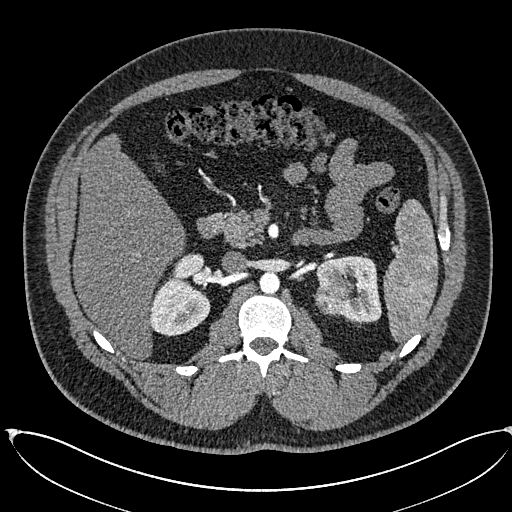
Abdominal CT with intravenous contrast, arterial phase, axial plane, 120 kVp, kernel I30f. Slice 386/673 from the bottom of the scan; thickness 1.00 mm; pixel size 0.855 mm.
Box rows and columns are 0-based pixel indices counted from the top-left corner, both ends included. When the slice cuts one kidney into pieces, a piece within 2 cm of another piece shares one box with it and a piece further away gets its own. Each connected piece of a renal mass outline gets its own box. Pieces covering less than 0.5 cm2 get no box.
Two kidney boxes and one renal mass box on this slice; by box centre, from the image's left to its right: (1) Right kidney, box rows 252–336, columns 149–210 (outlined area 3,244 px, about 23.7 cm2). (2) Left renal mass, box rows 276–315, columns 314–355 (outlined area 1,278 px, about 9.4 cm2). (3) Left kidney at rows 255–323, columns 316–381 (outlined area 2,455 px, about 18.0 cm2).